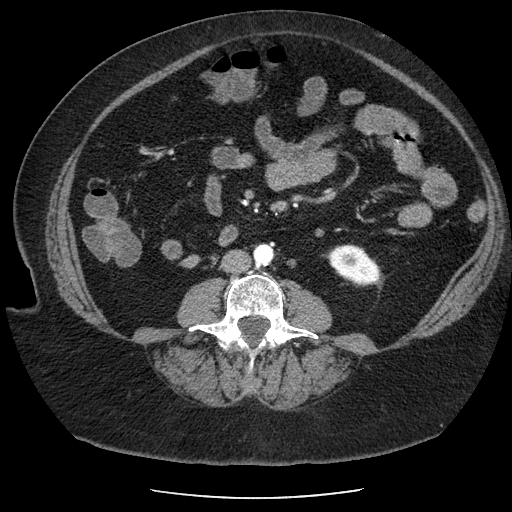
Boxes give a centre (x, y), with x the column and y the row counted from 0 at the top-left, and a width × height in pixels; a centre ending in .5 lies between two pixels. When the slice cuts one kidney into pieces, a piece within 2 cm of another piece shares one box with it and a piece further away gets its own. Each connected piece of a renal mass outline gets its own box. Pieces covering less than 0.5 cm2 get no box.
This is axial slice 99 of 186 (slice 1 is the lowest) of an arterial-phase abdominal CT with contrast; each pixel is 0.742 mm and the slice is 2.50 mm thick. Left kidney, box centre (353, 265), 61 × 43 pixels (outlined area 1,668 px, about 9.2 cm2). No renal mass outline on this slice.
Tube voltage 120 kVp; convolution kernel STANDARD.